One axial slice (189 of 527, counting up from the lowest) of an arterial-phase abdominal CT acquired with 120 kVp, kernel I30f; each pixel is 0.859 mm and the slice is 1.00 mm thick.
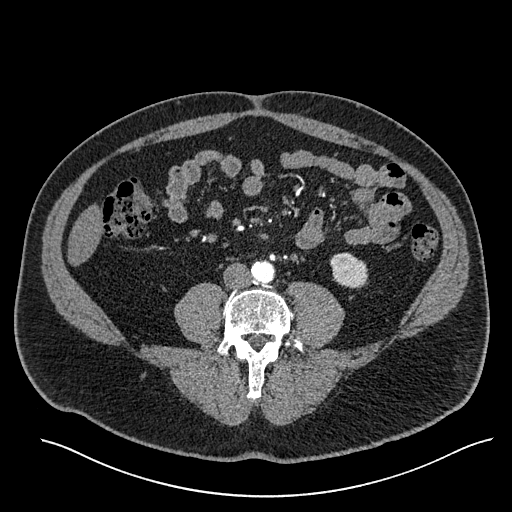
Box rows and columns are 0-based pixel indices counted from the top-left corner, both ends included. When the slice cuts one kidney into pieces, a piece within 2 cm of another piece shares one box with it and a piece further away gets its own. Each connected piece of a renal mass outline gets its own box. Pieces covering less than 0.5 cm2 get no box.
Left kidney at rows 252–288, columns 330–368 (outlined area 1,092 px, about 8.1 cm2). No renal mass is outlined on this slice.